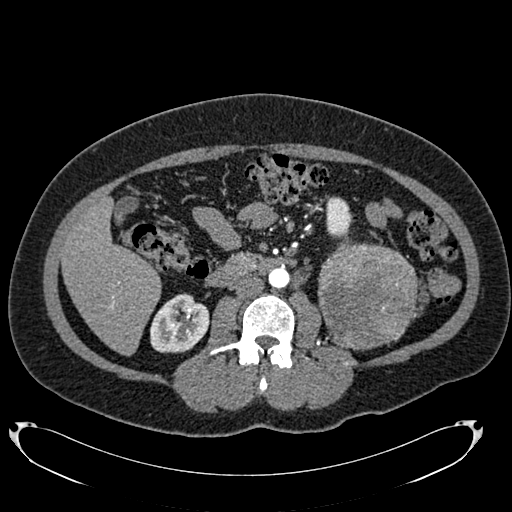
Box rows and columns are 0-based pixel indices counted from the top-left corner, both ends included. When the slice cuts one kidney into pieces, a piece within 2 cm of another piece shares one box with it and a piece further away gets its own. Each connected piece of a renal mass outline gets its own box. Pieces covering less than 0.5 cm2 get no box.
Arterial-phase contrast-enhanced abdominal CT, axial slice 380 of 634 (counted from the lowest slice); 1.00 mm thick, 0.838 mm per pixel. Two kidney boxes and one renal mass box on this slice; by box centre, from the image's left to its right: (1) Right kidney, box rows 293–352, columns 150–209 (outlined area 2,693 px, about 18.9 cm2). (2) Left kidney, box rows 196–238, columns 326–353 (outlined area 935 px, about 6.6 cm2). (3) Box rows 240–350, columns 317–418: left renal mass (outlined area 8,796 px, about 61.8 cm2).
Acquired at 120 kVp and reconstructed with the B20f kernel.